Axial slice 69 of 91 of a contrast-enhanced abdominal CT (slice 1 is the lowest), 120 kVp, kernel B41f; 5.00 mm slice thickness and 0.762 mm pixels.
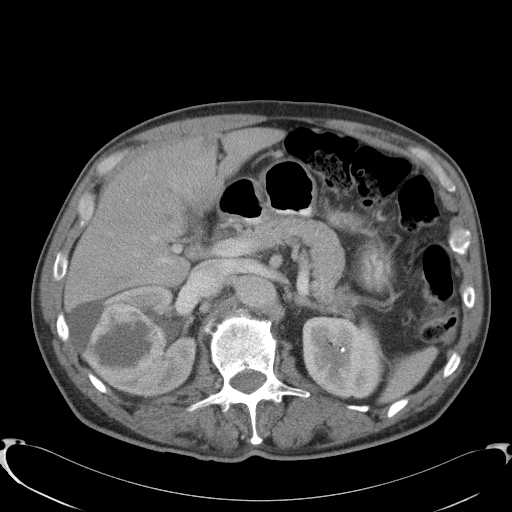
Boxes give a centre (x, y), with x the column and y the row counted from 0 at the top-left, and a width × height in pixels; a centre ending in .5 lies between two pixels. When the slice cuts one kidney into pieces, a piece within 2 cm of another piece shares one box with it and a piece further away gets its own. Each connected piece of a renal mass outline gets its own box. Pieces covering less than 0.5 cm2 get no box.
Two kidney boxes and one renal mass box on this slice; by box centre, from the image's left to its right: (1) Right renal mass, box centre (124, 342), 85 × 79 pixels (outlined area 4,735 px, about 27.5 cm2). (2) Box centre (131.5, 340), 132 × 113 pixels: right kidney (outlined area 6,011 px, about 34.9 cm2). (3) Left kidney, box centre (342.5, 357), 82 × 83 pixels (outlined area 5,639 px, about 32.7 cm2).